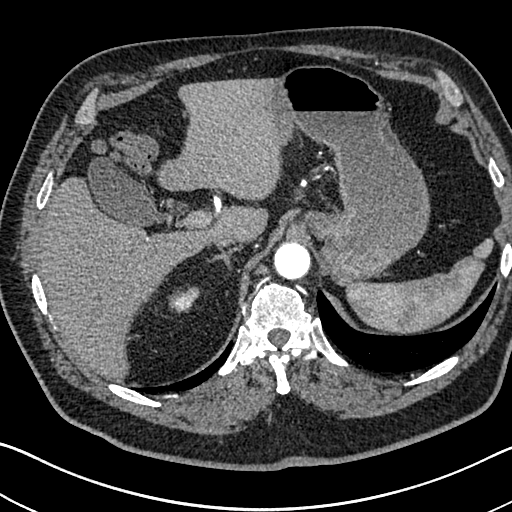
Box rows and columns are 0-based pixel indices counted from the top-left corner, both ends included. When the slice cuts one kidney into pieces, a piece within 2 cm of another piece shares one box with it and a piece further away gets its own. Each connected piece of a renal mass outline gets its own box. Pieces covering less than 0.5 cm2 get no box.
Arterial-phase contrast-enhanced abdominal CT, axial slice 560 of 705 (counted from the lowest slice); 1.00 mm thick, 0.703 mm per pixel. Box rows 286–313, columns 168–199: right kidney (outlined area 570 px, about 2.8 cm2). No renal mass outline on this slice.
Tube voltage 120 kVp; convolution kernel I30f.